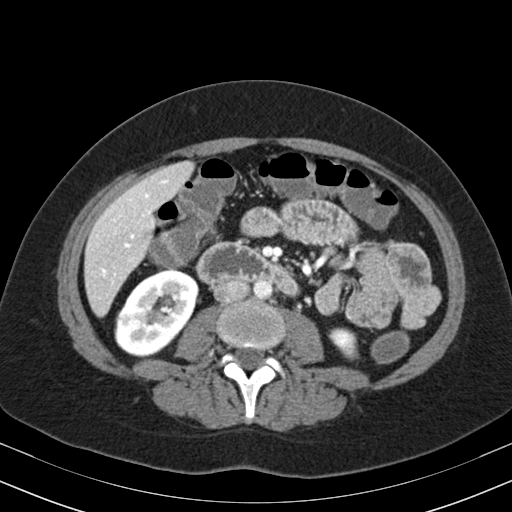
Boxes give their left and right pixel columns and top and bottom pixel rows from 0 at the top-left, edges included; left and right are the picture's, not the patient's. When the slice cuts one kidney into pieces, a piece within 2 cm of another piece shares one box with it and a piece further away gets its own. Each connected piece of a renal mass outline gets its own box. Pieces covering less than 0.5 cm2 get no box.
Slice 99/164 of a contrast-enhanced abdominal CT in the arterial phase, counting up from the lowest; pixel size 0.664 mm, slice thickness 3.00 mm. Boxed on this slice (two kidney boxes), listed by box centre from the image's left to its right: (1) Right kidney, the box with left 114, top 270, right 198, bottom 357 (outlined area 5,088 px, about 22.4 cm2). (2) Left kidney, the box with left 328, top 327, right 357, bottom 359 (outlined area 664 px, about 2.9 cm2).
Tube voltage 130 kVp; convolution kernel B30s.